Axial slice 377 of 602 of a contrast-enhanced abdominal CT in the arterial phase (slice 1 is the lowest), 120 kVp, kernel I30f; 1.00 mm slice thickness and 0.799 mm pixels.
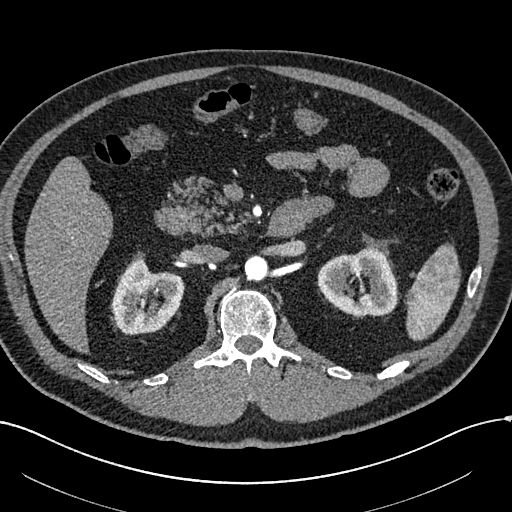
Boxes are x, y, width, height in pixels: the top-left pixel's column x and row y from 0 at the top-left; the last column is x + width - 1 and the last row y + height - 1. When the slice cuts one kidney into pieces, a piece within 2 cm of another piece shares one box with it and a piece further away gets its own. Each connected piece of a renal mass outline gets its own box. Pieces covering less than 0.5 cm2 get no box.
Two boxes on this slice (two kidney boxes), listed by box centre from the image's left to its right. (1) Right kidney, box x 111, y 256, width 73, height 79 (outlined area 3,987 px, about 25.4 cm2). (2) Box x 317, y 247, width 81, height 70: left kidney (outlined area 4,159 px, about 26.5 cm2). No renal mass is outlined on this slice.